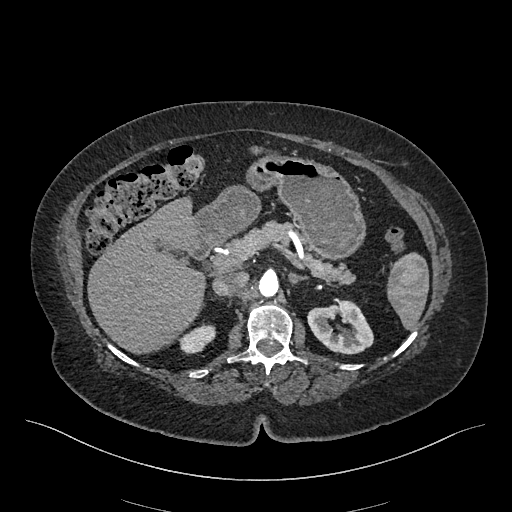
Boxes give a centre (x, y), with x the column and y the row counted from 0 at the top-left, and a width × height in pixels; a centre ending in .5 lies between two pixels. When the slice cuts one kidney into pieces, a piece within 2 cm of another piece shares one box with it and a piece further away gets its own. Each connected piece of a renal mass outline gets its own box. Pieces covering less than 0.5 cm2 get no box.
Arterial-phase contrast-enhanced abdominal CT, axial slice 312 of 548 (counted from the lowest slice); 1.00 mm thick, 0.852 mm per pixel. Boxed on this slice (two kidney boxes), listed by box centre from the image's left to its right: (1) Right kidney, box centre (197, 339), 39 × 31 pixels (outlined area 751 px, about 5.4 cm2). (2) Left kidney, box centre (340, 326.5), 67 × 56 pixels (outlined area 2,526 px, about 18.3 cm2). No renal mass outline on this slice.
Acquired at 120 kVp and reconstructed with the I26f kernel.